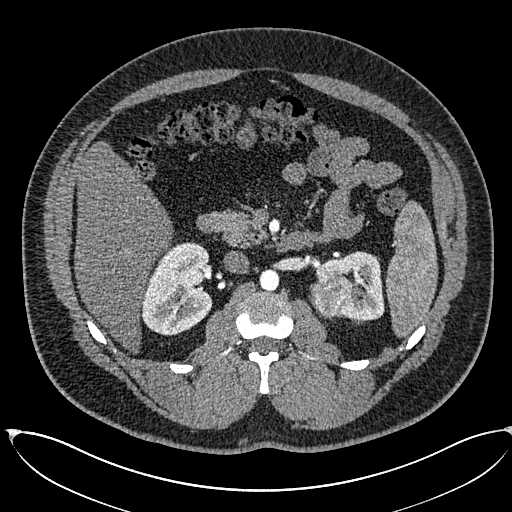
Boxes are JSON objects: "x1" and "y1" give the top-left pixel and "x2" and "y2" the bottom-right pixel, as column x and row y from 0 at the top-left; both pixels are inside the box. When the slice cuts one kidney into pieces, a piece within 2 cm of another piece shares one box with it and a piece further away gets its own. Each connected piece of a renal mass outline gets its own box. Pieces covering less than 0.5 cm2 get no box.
Arterial-phase contrast-enhanced abdominal CT, axial slice 374 of 673 (counted from the lowest slice); 1.00 mm thick, 0.855 mm per pixel. Three boxes on this slice (two kidney boxes and one renal mass box), listed by box centre from the image's left to its right. (1) Box {"x1": 141, "y1": 242, "x2": 212, "y2": 335}: right kidney (outlined area 5,083 px, about 37.2 cm2). (2) Left renal mass, box {"x1": 308, "y1": 275, "x2": 355, "y2": 319} (outlined area 1,622 px, about 11.9 cm2). (3) Box {"x1": 315, "y1": 251, "x2": 384, "y2": 320}: left kidney (outlined area 2,624 px, about 19.2 cm2).
Tube voltage 120 kVp; convolution kernel I30f.